One axial slice (20 of 38, counting up from the lowest) of an arterial-phase abdominal CT acquired with 100 kVp, kernel I40f; each pixel is 0.822 mm and the slice is 5.00 mm thick.
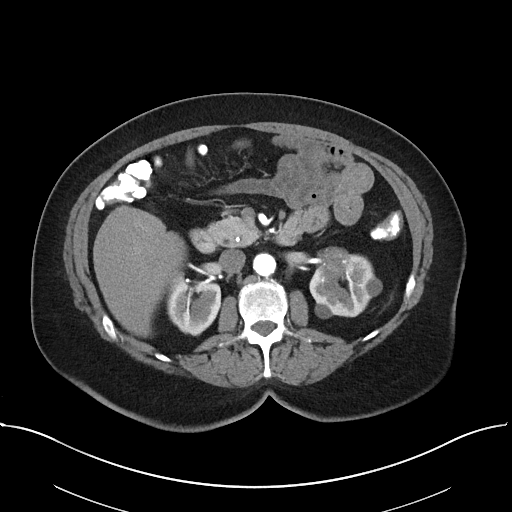
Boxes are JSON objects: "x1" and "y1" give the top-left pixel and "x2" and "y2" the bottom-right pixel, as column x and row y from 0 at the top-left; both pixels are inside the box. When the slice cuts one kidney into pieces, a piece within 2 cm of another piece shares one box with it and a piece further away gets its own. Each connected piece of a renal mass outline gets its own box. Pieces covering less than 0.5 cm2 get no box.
Boxed on this slice (two kidney boxes and one renal mass box), listed by box centre from the image's left to its right: (1) Box {"x1": 166, "y1": 271, "x2": 221, "y2": 335}: right kidney (outlined area 2,514 px, about 17.0 cm2). (2) Left renal mass at {"x1": 316, "y1": 247, "x2": 352, "y2": 279} (outlined area 974 px, about 6.6 cm2). (3) Box {"x1": 309, "y1": 253, "x2": 381, "y2": 318}: left kidney (outlined area 2,844 px, about 19.2 cm2).